Contrast-enhanced abdominal CT, axial slice 116 of 178 (counted from the lowest slice); tube voltage 100 kVp, convolution kernel I30f; slices 5.00 mm thick, 0.650 mm per pixel.
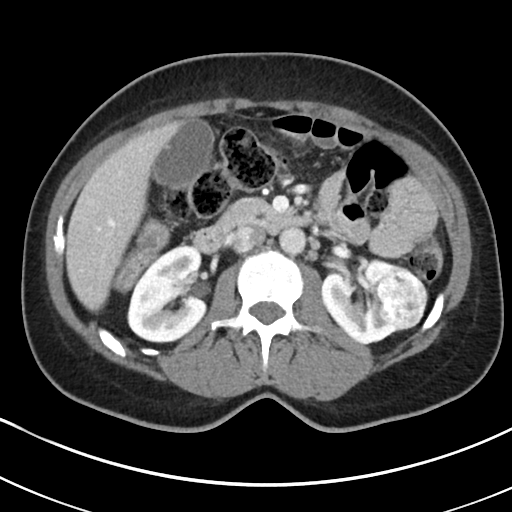
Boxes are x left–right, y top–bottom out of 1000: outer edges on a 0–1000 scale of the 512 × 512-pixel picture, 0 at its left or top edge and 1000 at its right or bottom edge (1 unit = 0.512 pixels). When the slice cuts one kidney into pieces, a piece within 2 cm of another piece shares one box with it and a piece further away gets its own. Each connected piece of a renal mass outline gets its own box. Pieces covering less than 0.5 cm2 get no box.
Two kidney boxes and one renal mass box on this slice; by box centre, from the image's left to its right: (1) Right kidney, box x 248–408, y 479–672 out of 1000 (outlined area 5,963 px, about 25.2 cm2). (2) Box x 629–783, y 502–676 out of 1000: left kidney (outlined area 4,236 px, about 17.9 cm2). (3) Left renal mass, box x 736–836, y 520–646 out of 1000 (outlined area 2,502 px, about 10.6 cm2).